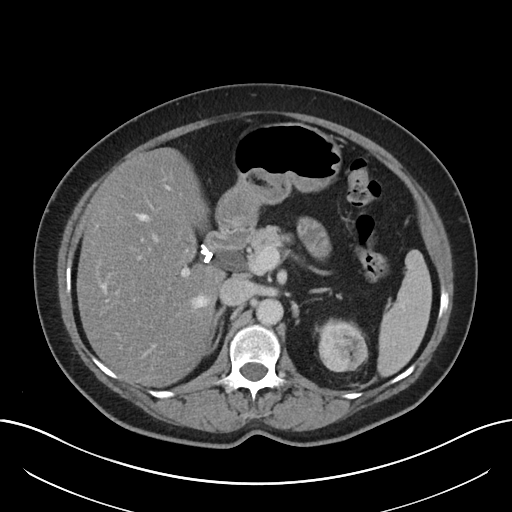
Axial slice 134 of 197 of a contrast-enhanced abdominal CT (slice 1 is the lowest), 120 kVp, kernel I30f; 5.00 mm slice thickness and 0.791 mm pixels.
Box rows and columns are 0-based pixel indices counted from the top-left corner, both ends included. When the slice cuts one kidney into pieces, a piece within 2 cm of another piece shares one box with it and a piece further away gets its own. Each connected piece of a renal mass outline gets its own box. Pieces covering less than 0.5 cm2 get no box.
Box rows 321–372, columns 318–368: left renal mass (outlined area 2,103 px, about 13.2 cm2); no kidney outline appears on this slice, but the same outlined renal mass comes within 1 cm of the kidney on another slice.